Abdominal CT with intravenous contrast, arterial phase, axial plane, 140 kVp, kernel I30f. Slice 478/673 from the bottom of the scan; thickness 1.00 mm; pixel size 0.957 mm.
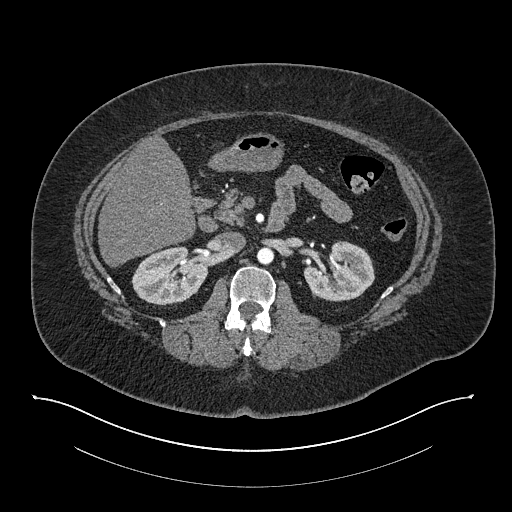
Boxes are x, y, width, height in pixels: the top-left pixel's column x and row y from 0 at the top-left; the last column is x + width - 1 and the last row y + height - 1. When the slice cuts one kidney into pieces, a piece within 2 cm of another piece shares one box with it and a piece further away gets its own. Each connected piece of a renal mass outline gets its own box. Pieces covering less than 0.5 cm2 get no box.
Two boxes on this slice (two kidney boxes), listed by box centre from the image's left to its right. (1) Box x 131, y 246, width 78, height 60: right kidney (outlined area 3,342 px, about 30.6 cm2). (2) Left kidney at x 303, y 241, width 72, height 61 (outlined area 3,124 px, about 28.6 cm2). No renal mass is outlined on this slice.